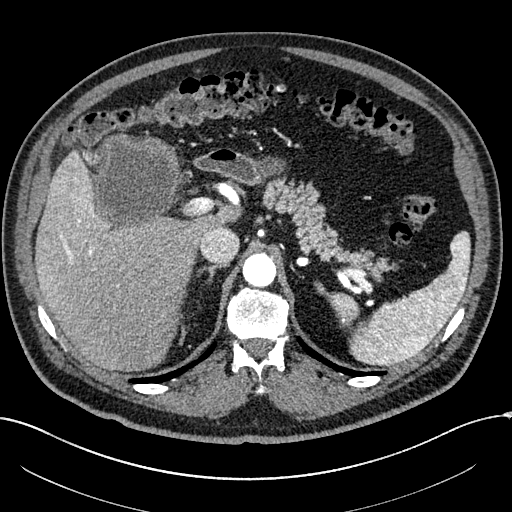
Arterial-phase contrast-enhanced abdominal CT, axial slice 182 of 304 (counted from the lowest slice); tube voltage 100 kVp, convolution kernel I30f; slices 2.00 mm thick, 0.809 mm per pixel.
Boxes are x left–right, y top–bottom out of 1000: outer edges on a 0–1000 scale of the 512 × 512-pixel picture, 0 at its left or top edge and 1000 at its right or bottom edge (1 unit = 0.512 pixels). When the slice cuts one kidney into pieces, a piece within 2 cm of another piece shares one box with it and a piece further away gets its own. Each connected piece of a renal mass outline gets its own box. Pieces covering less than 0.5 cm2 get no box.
Box x 178–354, y 260–457 out of 1000: right renal mass (outlined area 7,384 px, about 48.3 cm2); this slice has no kidney outline, though on another slice the same outlined renal mass lies within 1 cm of the kidney.